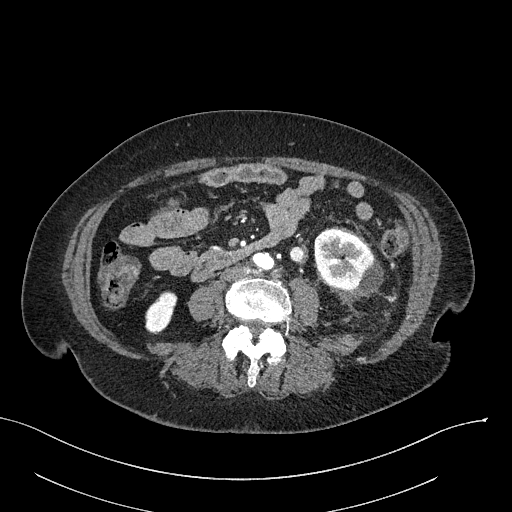
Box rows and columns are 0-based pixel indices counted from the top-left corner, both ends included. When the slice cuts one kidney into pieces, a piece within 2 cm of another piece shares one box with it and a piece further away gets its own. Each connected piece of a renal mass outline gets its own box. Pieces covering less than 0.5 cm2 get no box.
This is axial slice 87 of 316 (slice 1 is the lowest) of an arterial-phase abdominal CT with contrast; each pixel is 0.840 mm and the slice is 2.00 mm thick. Two boxes on this slice (two kidney boxes), listed by box centre from the image's left to its right. (1) Right kidney at rows 291–334, columns 145–177 (outlined area 960 px, about 6.8 cm2). (2) Left kidney at rows 229–293, columns 314–384 (outlined area 3,341 px, about 23.6 cm2). This slice carries no renal mass outline.
Scan settings: 100 kVp, I40f reconstruction kernel.